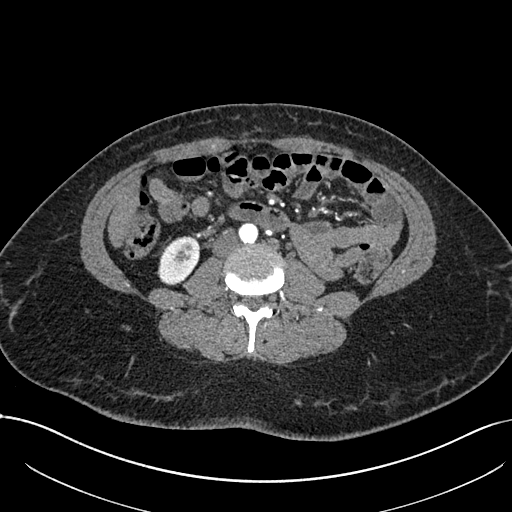
One axial slice (320 of 738, counting up from the lowest) of an arterial-phase abdominal CT acquired with 120 kVp, kernel I30f; each pixel is 0.789 mm and the slice is 1.00 mm thick.
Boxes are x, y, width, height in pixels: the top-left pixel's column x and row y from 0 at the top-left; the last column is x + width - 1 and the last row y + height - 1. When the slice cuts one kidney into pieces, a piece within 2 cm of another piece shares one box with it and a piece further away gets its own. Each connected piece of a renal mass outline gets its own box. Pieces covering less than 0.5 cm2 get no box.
Box x 156, y 236, width 44, height 50: right kidney (outlined area 1,581 px, about 9.8 cm2). This slice carries no renal mass outline.